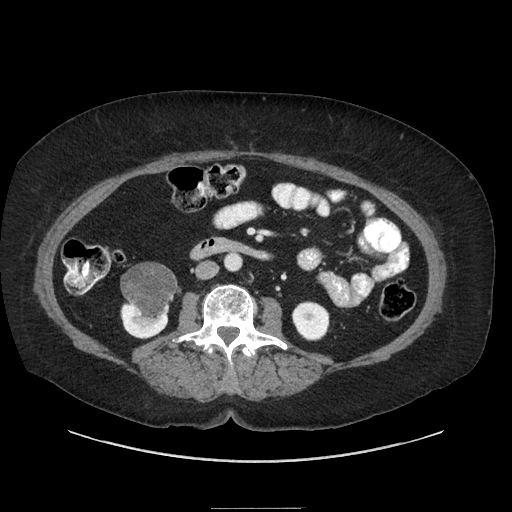
Abdominal CT with intravenous contrast, axial plane, 120 kVp, kernel STANDARD. Slice 111/186 from the bottom of the scan; thickness 2.50 mm; pixel size 0.850 mm.
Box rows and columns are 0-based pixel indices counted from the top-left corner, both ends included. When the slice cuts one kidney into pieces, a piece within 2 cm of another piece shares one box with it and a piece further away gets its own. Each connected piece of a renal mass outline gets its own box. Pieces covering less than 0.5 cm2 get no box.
Three boxes on this slice (two kidney boxes and one renal mass box), listed by box centre from the image's left to its right. (1) Box rows 301–338, columns 120–168: right kidney (outlined area 985 px, about 7.1 cm2). (2) Box rows 262–322, columns 120–180: right renal mass (outlined area 2,519 px, about 18.2 cm2). (3) Left kidney, box rows 301–340, columns 291–329 (outlined area 1,216 px, about 8.8 cm2).